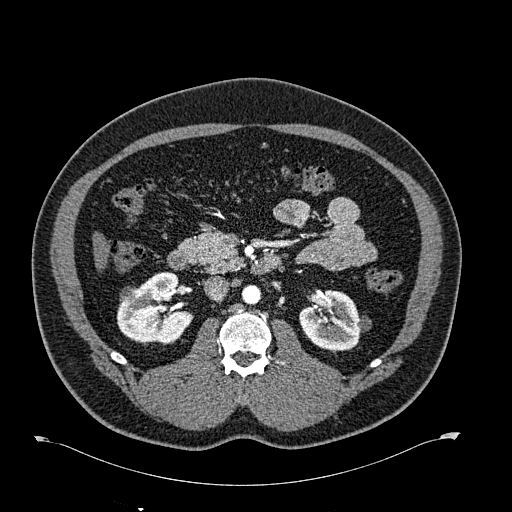
Axial slice 362 of 723 of a contrast-enhanced abdominal CT in the arterial phase (slice 1 is the lowest), 120 kVp, kernel B30f; 1.00 mm slice thickness and 0.895 mm pixels.
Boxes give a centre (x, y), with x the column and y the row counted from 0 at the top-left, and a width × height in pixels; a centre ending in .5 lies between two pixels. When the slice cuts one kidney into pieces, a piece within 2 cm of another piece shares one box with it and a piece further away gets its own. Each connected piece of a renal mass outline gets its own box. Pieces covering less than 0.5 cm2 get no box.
Boxed on this slice (two kidney boxes and one renal mass box), listed by box centre from the image's left to its right: (1) Box centre (127.5, 294), 16 × 17 pixels: right renal mass (outlined area 206 px, about 1.6 cm2). (2) Right kidney in a box with centre (154.5, 308), 78 × 73 pixels (outlined area 3,841 px, about 30.7 cm2). (3) Box centre (335.5, 321), 72 × 65 pixels: left kidney (outlined area 3,137 px, about 25.1 cm2).